Abdominal CT with intravenous contrast, arterial phase, axial plane, 120 kVp, kernel B30f. Slice 315/723 from the bottom of the scan; thickness 1.00 mm; pixel size 0.895 mm.
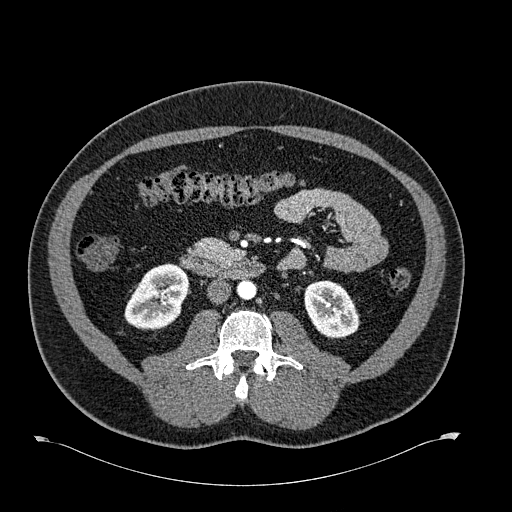
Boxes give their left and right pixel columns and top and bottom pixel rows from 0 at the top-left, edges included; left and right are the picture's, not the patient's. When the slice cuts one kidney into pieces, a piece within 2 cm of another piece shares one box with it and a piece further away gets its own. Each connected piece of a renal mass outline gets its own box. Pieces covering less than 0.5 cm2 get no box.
Boxed on this slice (two kidney boxes), listed by box centre from the image's left to its right: (1) Box with left 124, top 263, right 187, bottom 330: right kidney (outlined area 3,100 px, about 24.8 cm2). (2) Left kidney in the box with left 304, top 280, right 360, bottom 338 (outlined area 2,478 px, about 19.8 cm2). This slice carries no renal mass outline.